Axial slice 11 of 76 of a contrast-enhanced abdominal CT (slice 1 is the lowest), 120 kVp, kernel STANDARD; 2.50 mm slice thickness and 0.586 mm pixels.
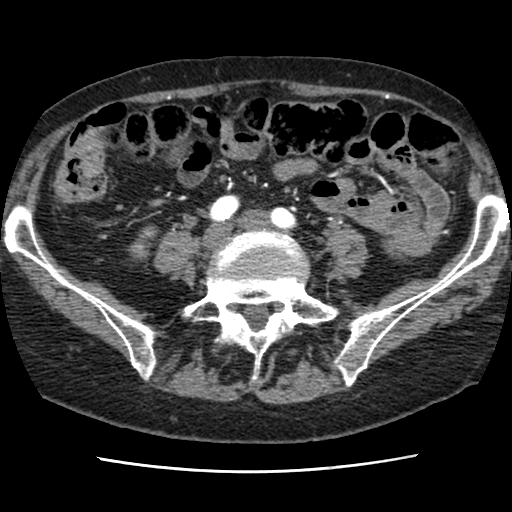
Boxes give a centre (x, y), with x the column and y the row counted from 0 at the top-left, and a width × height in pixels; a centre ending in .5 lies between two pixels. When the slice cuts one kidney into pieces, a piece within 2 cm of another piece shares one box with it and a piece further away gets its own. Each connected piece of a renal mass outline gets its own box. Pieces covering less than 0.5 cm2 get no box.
Box centre (143, 242.5), 31 × 36 pixels: right kidney (outlined area 593 px, about 2.0 cm2). This slice carries no renal mass outline.